Arterial-phase contrast-enhanced abdominal CT, axial slice 235 of 1059 (counted from the lowest slice); tube voltage 100 kVp, convolution kernel I30f; slices 1.00 mm thick, 0.811 mm per pixel.
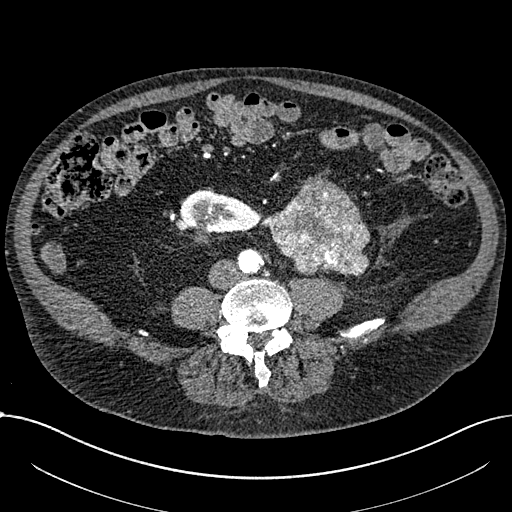
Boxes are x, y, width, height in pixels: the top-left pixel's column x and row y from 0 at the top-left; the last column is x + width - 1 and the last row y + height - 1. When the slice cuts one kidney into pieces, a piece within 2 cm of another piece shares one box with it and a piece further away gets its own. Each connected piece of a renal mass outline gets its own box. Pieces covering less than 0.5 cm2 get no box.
One kidney box and one renal mass box on this slice; by box centre, from the image's left to its right: (1) Box x 175, y 189, width 86, height 56: right part of the midline-crossing kidney (outlined area 2,876 px, about 18.9 cm2). (2) Renal mass at x 261, y 175, width 110, height 101 (outlined area 7,149 px, about 47.0 cm2).